Abdominal CT with intravenous contrast, axial plane, 120 kVp, kernel B31f. Slice 380/734 from the bottom of the scan; thickness 2.00 mm; pixel size 0.971 mm.
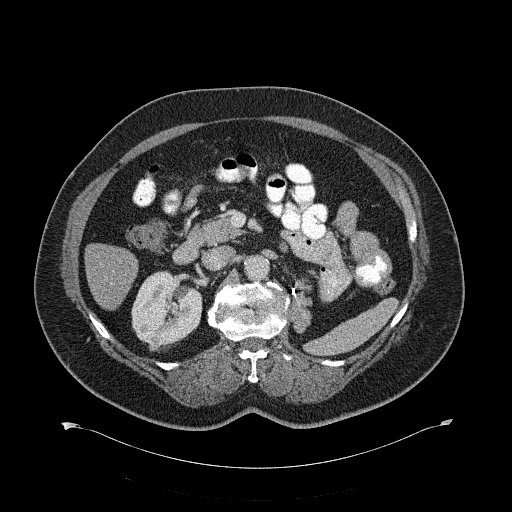
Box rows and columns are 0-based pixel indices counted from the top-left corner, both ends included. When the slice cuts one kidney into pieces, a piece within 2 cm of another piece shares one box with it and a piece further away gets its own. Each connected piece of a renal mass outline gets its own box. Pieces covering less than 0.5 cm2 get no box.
Two boxes on this slice (one kidney box and one renal mass box), listed by box centre from the image's left to its right. (1) Right renal mass, box rows 338–350, columns 148–159 (outlined area 130 px, about 1.2 cm2). (2) Right kidney, box rows 270–349, columns 131–202 (outlined area 4,123 px, about 38.8 cm2).